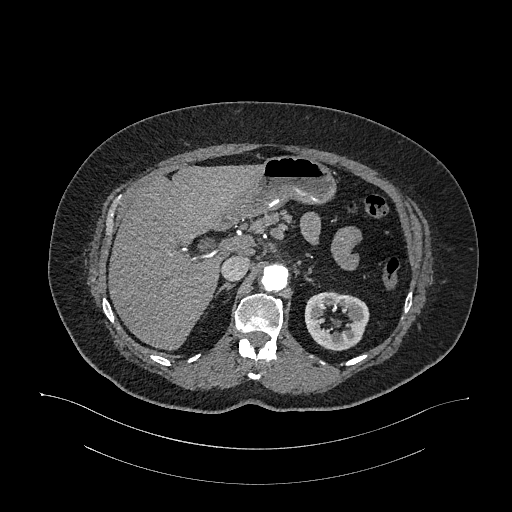
Arterial-phase contrast-enhanced abdominal CT, axial slice 746 of 987 (counted from the lowest slice); tube voltage 120 kVp, convolution kernel I26f; slices 1.00 mm thick, 0.977 mm per pixel.
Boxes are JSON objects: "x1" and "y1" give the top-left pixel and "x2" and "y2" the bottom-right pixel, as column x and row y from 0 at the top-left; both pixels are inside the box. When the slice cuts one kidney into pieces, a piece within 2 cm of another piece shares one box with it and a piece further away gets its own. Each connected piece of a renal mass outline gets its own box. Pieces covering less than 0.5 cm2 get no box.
Left kidney at {"x1": 304, "y1": 291, "x2": 369, "y2": 350} (outlined area 2,748 px, about 26.2 cm2). No renal mass outline on this slice.